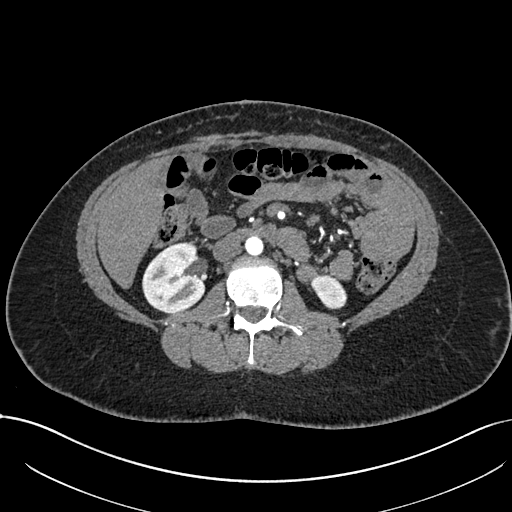
One axial slice (391 of 738, counting up from the lowest) of an arterial-phase abdominal CT acquired with 120 kVp, kernel I30f; each pixel is 0.789 mm and the slice is 1.00 mm thick.
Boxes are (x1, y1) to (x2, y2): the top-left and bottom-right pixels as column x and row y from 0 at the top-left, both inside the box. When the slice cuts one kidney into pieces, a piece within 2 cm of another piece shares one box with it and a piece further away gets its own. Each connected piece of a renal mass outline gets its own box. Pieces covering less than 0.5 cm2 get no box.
Two boxes on this slice (two kidney boxes), listed by box centre from the image's left to its right. (1) Box (142, 241) to (205, 313): right kidney (outlined area 3,494 px, about 21.8 cm2). (2) Left kidney from (310, 274) to (347, 309) (outlined area 922 px, about 5.7 cm2). No renal mass is outlined on this slice.